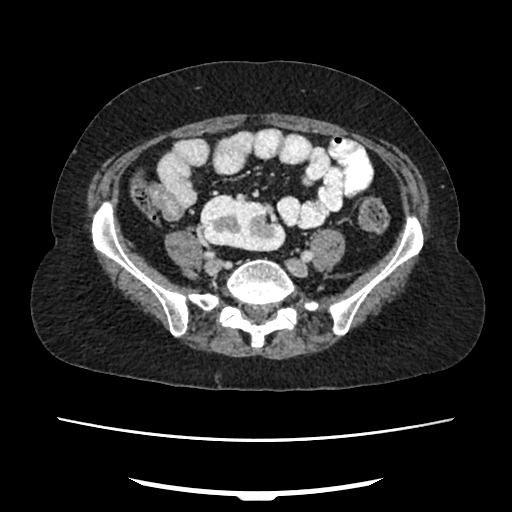
Axial slice 83 of 207 of a contrast-enhanced abdominal CT in the arterial phase (slice 1 is the lowest), 120 kVp, kernel FC18; 2.00 mm slice thickness and 0.741 mm pixels.
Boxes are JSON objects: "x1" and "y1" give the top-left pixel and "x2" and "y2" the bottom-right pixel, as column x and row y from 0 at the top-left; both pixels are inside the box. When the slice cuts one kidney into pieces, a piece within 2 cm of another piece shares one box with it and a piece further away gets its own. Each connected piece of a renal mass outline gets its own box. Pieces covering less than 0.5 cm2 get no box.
Box {"x1": 200, "y1": 194, "x2": 285, "y2": 251}: right kidney (outlined area 3,819 px, about 21.0 cm2). No renal mass outline on this slice.